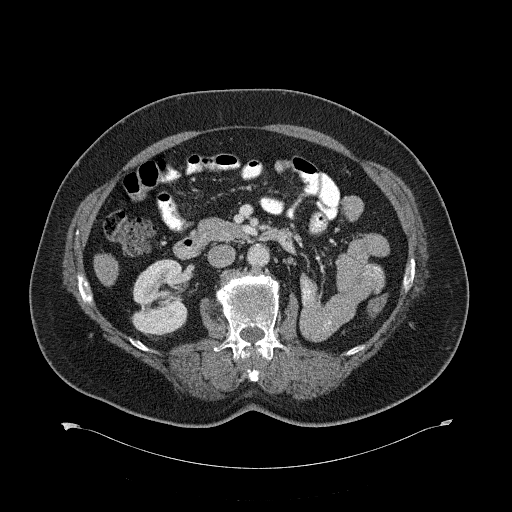
Abdominal CT with intravenous contrast, axial plane, 120 kVp, kernel B31f. Slice 358/734 from the bottom of the scan; thickness 2.00 mm; pixel size 0.971 mm.
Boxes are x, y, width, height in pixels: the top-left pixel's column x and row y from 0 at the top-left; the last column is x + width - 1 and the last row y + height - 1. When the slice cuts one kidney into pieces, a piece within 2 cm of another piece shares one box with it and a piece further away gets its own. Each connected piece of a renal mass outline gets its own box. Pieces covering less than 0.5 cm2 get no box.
Box x 131, y 259, width 57, height 78: right kidney (outlined area 3,347 px, about 31.5 cm2). This slice carries no renal mass outline.